Abdominal CT with intravenous contrast, arterial phase, axial plane, 120 kVp, kernel B20f. Slice 495/719 from the bottom of the scan; thickness 1.00 mm; pixel size 0.766 mm.
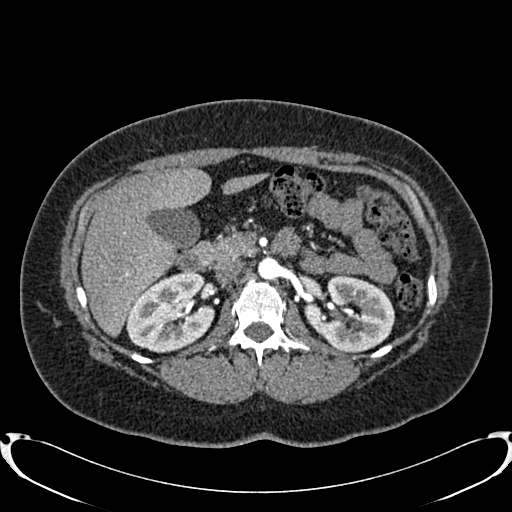
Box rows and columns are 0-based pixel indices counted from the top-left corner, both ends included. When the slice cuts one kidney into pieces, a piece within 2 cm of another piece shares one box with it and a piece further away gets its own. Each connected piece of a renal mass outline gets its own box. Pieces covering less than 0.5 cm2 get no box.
Boxed on this slice (two kidney boxes), listed by box centre from the image's left to its right: (1) Right kidney, box rows 270–352, columns 126–214 (outlined area 5,262 px, about 30.8 cm2). (2) Box rows 275–352, columns 315–394: left kidney (outlined area 4,608 px, about 27.0 cm2). No renal mass is outlined on this slice.